Arterial-phase contrast-enhanced abdominal CT, axial slice 178 of 1059 (counted from the lowest slice); tube voltage 100 kVp, convolution kernel I30f; slices 1.00 mm thick, 0.811 mm per pixel.
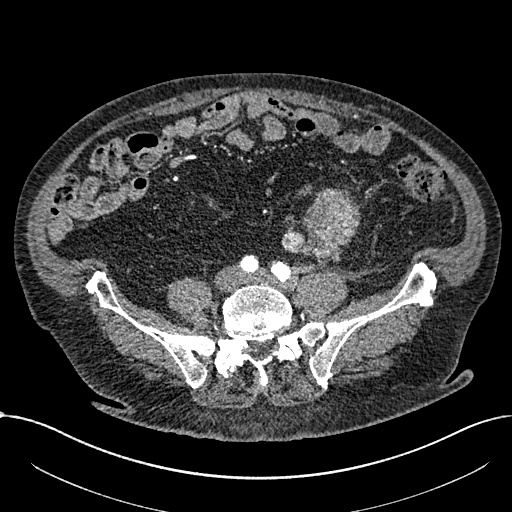
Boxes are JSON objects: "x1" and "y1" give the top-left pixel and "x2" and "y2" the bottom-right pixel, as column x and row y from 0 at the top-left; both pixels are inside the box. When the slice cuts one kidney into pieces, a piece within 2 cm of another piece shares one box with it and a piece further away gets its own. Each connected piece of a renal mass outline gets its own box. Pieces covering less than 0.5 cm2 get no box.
Renal mass at {"x1": 281, "y1": 188, "x2": 360, "y2": 263} (outlined area 3,602 px, about 23.7 cm2); no kidney outline appears on this slice, but the same outlined renal mass comes within 1 cm of the kidney on another slice.